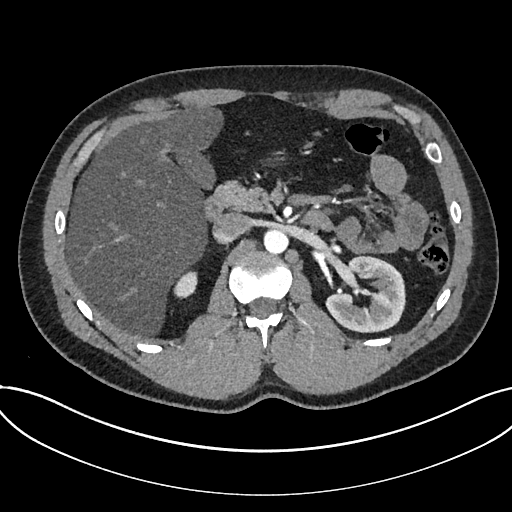
One axial slice (470 of 735, counting up from the lowest) of an arterial-phase abdominal CT acquired with 120 kVp, kernel I30f; each pixel is 0.789 mm and the slice is 1.00 mm thick.
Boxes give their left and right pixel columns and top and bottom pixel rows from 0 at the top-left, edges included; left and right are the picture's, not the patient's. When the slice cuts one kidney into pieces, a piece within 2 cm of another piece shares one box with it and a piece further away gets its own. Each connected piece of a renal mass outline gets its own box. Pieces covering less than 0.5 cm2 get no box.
Two kidney boxes on this slice; by box centre, from the image's left to its right: (1) Kidney, the box with left 173, top 270, right 197, bottom 298 (outlined area 501 px, about 3.1 cm2). (2) Box with left 325, top 255, right 405, bottom 332: kidney (outlined area 4,444 px, about 27.7 cm2). No renal mass outline on this slice.